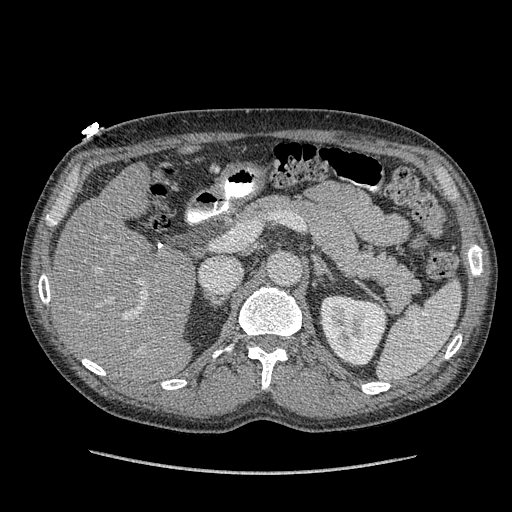
Arterial-phase contrast-enhanced abdominal CT, axial slice 246 of 349 (counted from the lowest slice); tube voltage 120 kVp, convolution kernel STANDARD; slices 1.25 mm thick, 0.742 mm per pixel.
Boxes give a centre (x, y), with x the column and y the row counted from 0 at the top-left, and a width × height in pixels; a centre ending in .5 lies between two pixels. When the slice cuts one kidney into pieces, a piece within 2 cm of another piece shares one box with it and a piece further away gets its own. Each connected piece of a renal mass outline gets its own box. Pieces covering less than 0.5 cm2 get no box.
Box centre (354, 330), 69 × 71 pixels: left kidney (outlined area 3,666 px, about 20.2 cm2). No renal mass outline on this slice.